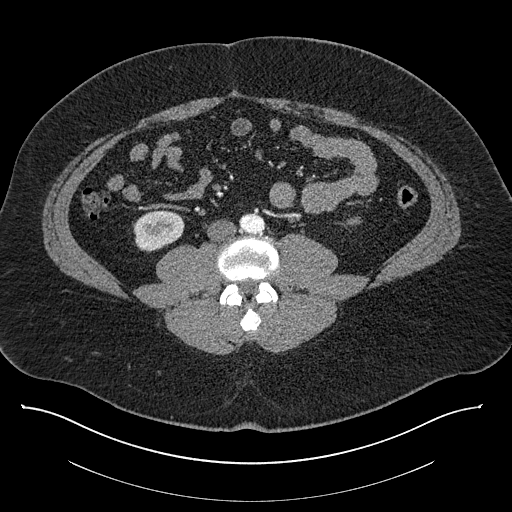
Axial slice 343 of 787 of a contrast-enhanced abdominal CT (slice 1 is the lowest), 140 kVp, kernel I30f; 1.00 mm slice thickness and 0.910 mm pixels.
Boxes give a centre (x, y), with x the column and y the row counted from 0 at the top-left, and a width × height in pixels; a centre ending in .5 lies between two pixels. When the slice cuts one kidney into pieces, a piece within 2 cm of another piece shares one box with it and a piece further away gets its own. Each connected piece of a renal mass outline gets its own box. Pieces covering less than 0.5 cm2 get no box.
Two kidney boxes on this slice; by box centre, from the image's left to its right: (1) Right kidney, box centre (158, 231), 53 × 43 pixels (outlined area 1,681 px, about 13.9 cm2). (2) Left kidney in a box with centre (350.5, 221.5), 22 × 12 pixels (outlined area 134 px, about 1.1 cm2). No renal mass outline on this slice.